Abdominal CT with intravenous contrast, arterial phase, axial plane, 120 kVp, kernel B30f. Slice 58/88 from the bottom of the scan; thickness 5.00 mm; pixel size 0.691 mm.
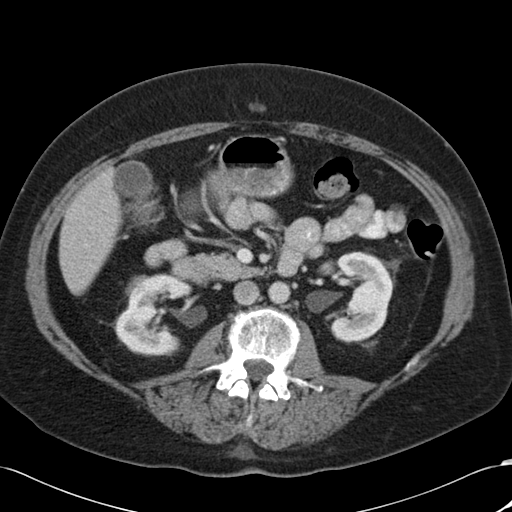
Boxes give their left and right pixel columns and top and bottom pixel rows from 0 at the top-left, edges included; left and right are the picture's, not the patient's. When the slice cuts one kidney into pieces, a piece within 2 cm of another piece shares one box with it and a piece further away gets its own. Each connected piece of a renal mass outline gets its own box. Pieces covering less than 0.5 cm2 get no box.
Three boxes on this slice (two kidney boxes and one renal mass box), listed by box centre from the image's left to its right. (1) Box with left 125, top 274, right 150, bottom 292: right renal mass (outlined area 318 px, about 1.5 cm2). (2) Box with left 115, top 273, right 192, bottom 356: right kidney (outlined area 4,202 px, about 20.1 cm2). (3) Left kidney, the box with left 330, top 251, right 394, bottom 343 (outlined area 4,188 px, about 20.0 cm2).